Abdominal CT with intravenous contrast, arterial phase, axial plane, 120 kVp, kernel I30f. Slice 456/626 from the bottom of the scan; thickness 1.00 mm; pixel size 0.703 mm.
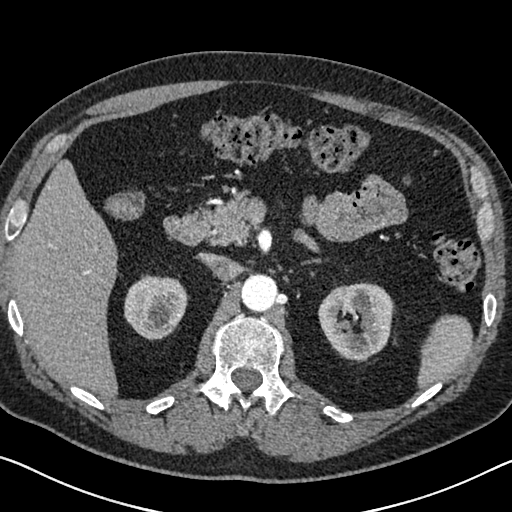
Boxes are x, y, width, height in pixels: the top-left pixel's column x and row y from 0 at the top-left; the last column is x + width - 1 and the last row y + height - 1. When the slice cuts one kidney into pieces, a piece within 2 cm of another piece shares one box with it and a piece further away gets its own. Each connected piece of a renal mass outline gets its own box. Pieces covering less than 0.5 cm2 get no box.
Two kidney boxes on this slice; by box centre, from the image's left to its right: (1) Box x 124, y 274, width 64, height 66: right kidney (outlined area 3,200 px, about 15.8 cm2). (2) Left kidney at x 318, y 282, width 77, height 80 (outlined area 4,519 px, about 22.3 cm2). No renal mass outline on this slice.